Arterial-phase contrast-enhanced abdominal CT, axial slice 454 of 738 (counted from the lowest slice); tube voltage 120 kVp, convolution kernel I30f; slices 1.00 mm thick, 0.789 mm per pixel.
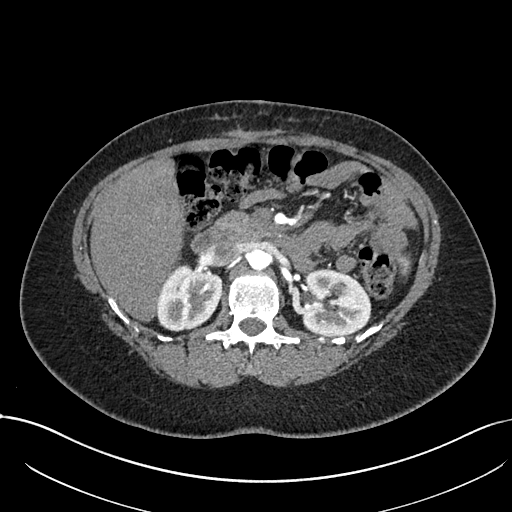
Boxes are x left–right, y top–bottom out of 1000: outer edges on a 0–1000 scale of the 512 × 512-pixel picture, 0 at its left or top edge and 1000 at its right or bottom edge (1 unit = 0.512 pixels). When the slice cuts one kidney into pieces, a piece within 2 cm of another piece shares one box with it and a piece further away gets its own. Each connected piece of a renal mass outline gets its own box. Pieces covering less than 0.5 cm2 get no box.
Two kidney boxes on this slice; by box centre, from the image's left to its right: (1) Box x 305–436, y 514–648 out of 1000: right kidney (outlined area 3,324 px, about 20.7 cm2). (2) Left kidney at x 588–725, y 523–658 out of 1000 (outlined area 3,894 px, about 24.2 cm2). No renal mass outline on this slice.